One axial slice (92 of 207, counting up from the lowest) of an arterial-phase abdominal CT acquired with 120 kVp, kernel FC18; each pixel is 0.741 mm and the slice is 2.00 mm thick.
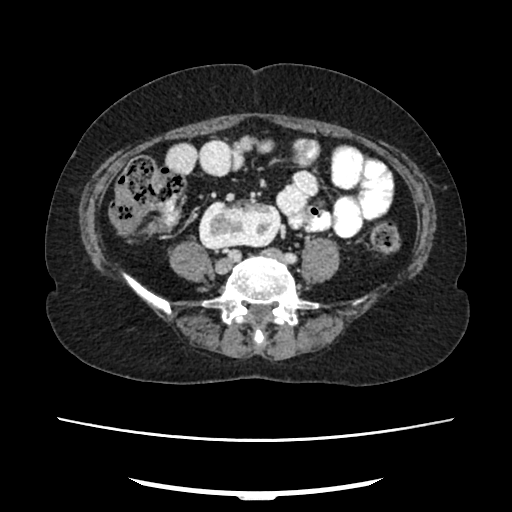
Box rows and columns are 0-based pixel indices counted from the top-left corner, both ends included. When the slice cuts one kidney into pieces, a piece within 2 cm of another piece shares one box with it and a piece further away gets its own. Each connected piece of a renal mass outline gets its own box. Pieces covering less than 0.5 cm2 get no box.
Right kidney, box rows 198–249, columns 198–281 (outlined area 3,493 px, about 19.2 cm2). No renal mass is outlined on this slice.